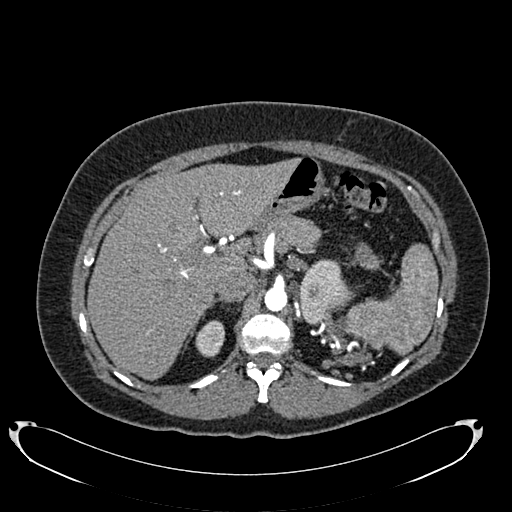
Abdominal CT with intravenous contrast, arterial phase, axial plane, 120 kVp, kernel B20f. Slice 531/634 from the bottom of the scan; thickness 1.00 mm; pixel size 0.838 mm.
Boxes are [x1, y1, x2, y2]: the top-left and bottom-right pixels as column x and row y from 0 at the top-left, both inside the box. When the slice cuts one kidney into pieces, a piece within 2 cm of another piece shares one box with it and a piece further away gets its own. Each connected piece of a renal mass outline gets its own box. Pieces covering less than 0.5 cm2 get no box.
Two boxes on this slice (two kidney boxes), listed by box centre from the image's left to its right. (1) Box [195, 320, 225, 357]: right kidney (outlined area 855 px, about 6.0 cm2). (2) Left kidney, box [299, 259, 350, 324] (outlined area 2,357 px, about 16.5 cm2). This slice carries no renal mass outline.